Arterial-phase contrast-enhanced abdominal CT, axial slice 639 of 719 (counted from the lowest slice); tube voltage 120 kVp, convolution kernel B20f; slices 1.00 mm thick, 0.766 mm per pixel.
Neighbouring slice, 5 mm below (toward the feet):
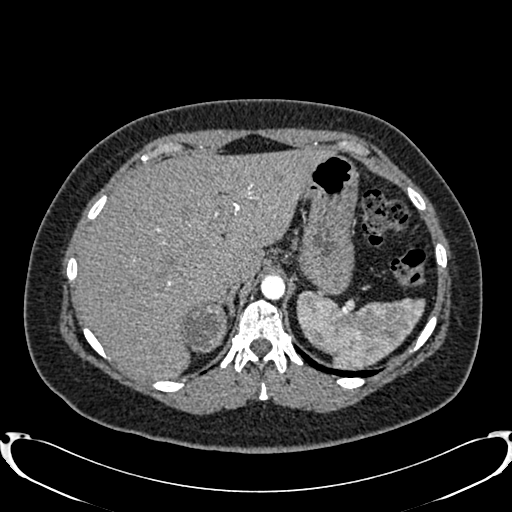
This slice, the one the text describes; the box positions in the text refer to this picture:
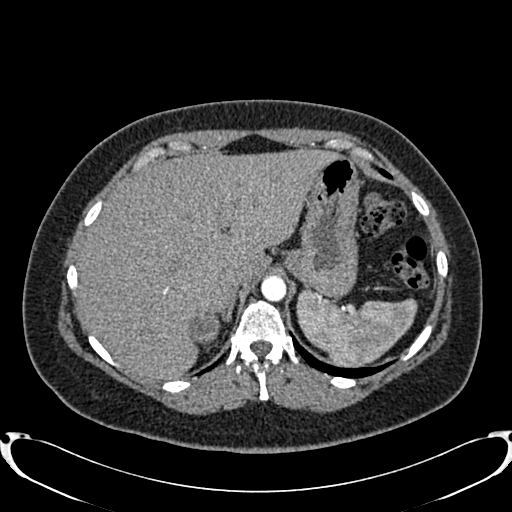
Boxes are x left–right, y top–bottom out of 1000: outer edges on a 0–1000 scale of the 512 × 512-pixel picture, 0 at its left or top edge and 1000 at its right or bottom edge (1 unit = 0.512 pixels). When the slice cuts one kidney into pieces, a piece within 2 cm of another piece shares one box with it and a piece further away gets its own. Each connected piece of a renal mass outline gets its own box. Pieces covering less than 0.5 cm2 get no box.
Right renal mass, box x 369–432, y 604–674 out of 1000 (outlined area 846 px, about 5.0 cm2); this slice has no kidney outline, though on another slice the same outlined renal mass lies within 1 cm of the kidney. This slice lies near the end of the right renal mass toward the head; the slice 5 mm below it is shown too, and the boxes mark positions on this slice only.